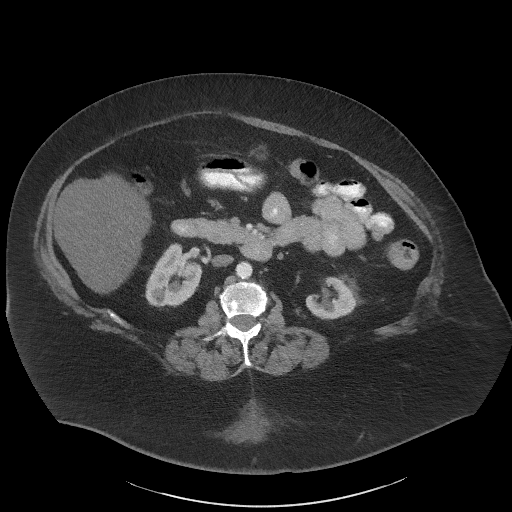
One axial slice (30 of 61, counting up from the lowest) of an arterial-phase abdominal CT acquired with 140 kVp, kernel I41f; each pixel is 0.947 mm and the slice is 3.00 mm thick.
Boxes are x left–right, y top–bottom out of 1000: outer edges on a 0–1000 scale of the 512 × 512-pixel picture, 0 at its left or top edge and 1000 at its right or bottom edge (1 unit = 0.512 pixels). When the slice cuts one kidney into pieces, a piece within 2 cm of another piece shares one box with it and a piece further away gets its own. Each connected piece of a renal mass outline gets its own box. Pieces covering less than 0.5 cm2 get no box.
Boxed on this slice (two kidney boxes), listed by box centre from the image's left to its right: (1) Right kidney, box x 283–396, y 475–602 out of 1000 (outlined area 2,623 px, about 23.5 cm2). (2) Left kidney at x 596–693, y 539–625 out of 1000 (outlined area 1,552 px, about 13.9 cm2). No renal mass outline on this slice.